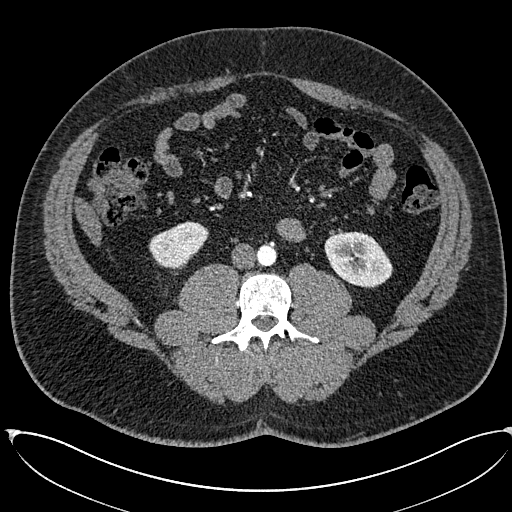
Arterial-phase contrast-enhanced abdominal CT, axial slice 258 of 673 (counted from the lowest slice); tube voltage 120 kVp, convolution kernel I30f; slices 1.00 mm thick, 0.855 mm per pixel.
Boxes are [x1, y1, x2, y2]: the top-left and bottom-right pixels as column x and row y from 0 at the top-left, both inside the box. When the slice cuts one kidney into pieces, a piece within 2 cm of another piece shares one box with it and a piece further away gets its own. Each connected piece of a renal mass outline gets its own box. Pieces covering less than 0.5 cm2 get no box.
Two boxes on this slice (two kidney boxes), listed by box centre from the image's left to its right. (1) Right kidney at [148, 221, 208, 269] (outlined area 1,987 px, about 14.5 cm2). (2) Left kidney, box [324, 231, 392, 288] (outlined area 2,859 px, about 20.9 cm2). No renal mass outline on this slice.